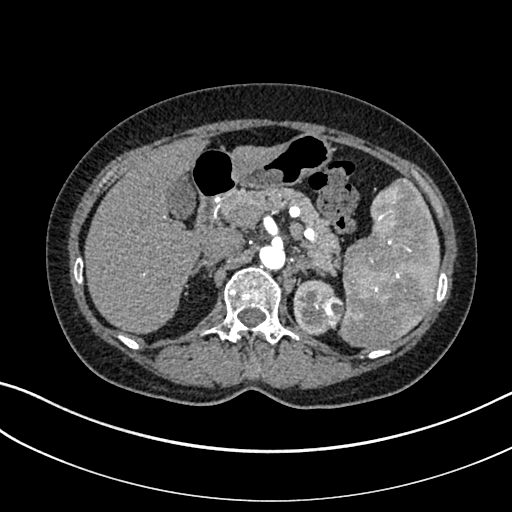
One axial slice (233 of 325, counting up from the lowest) of an arterial-phase abdominal CT acquired with 100 kVp, kernel I30f; each pixel is 0.703 mm and the slice is 1.00 mm thick.
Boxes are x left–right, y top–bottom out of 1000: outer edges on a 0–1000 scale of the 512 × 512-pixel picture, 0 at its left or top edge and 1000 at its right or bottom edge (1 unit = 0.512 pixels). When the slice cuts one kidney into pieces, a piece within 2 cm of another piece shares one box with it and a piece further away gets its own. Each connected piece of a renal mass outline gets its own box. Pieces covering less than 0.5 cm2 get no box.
Two boxes on this slice (one kidney box and one renal mass box), listed by box centre from the image's left to its right. (1) Left kidney, box x 572–654, y 545–656 out of 1000 (outlined area 1,494 px, about 7.4 cm2). (2) Left renal mass, box x 619–674, y 574–643 out of 1000 (outlined area 717 px, about 3.5 cm2).